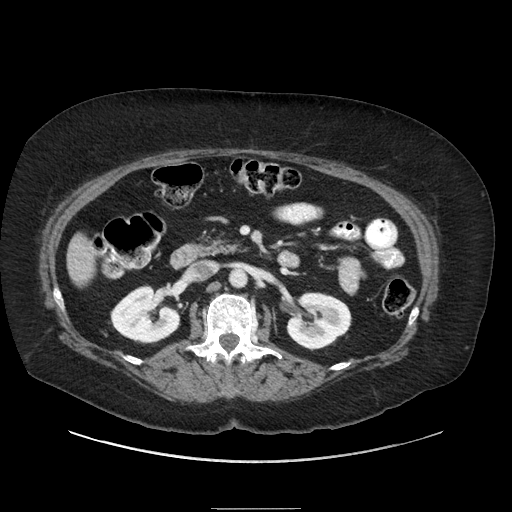
Contrast-enhanced abdominal CT, axial slice 124 of 186 (counted from the lowest slice); tube voltage 120 kVp, convolution kernel STANDARD; slices 2.50 mm thick, 0.850 mm per pixel.
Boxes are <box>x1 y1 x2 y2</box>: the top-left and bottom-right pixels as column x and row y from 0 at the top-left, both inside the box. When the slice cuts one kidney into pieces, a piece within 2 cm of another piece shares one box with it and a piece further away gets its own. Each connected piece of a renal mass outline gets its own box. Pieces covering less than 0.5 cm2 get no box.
Two kidney boxes on this slice; by box centre, from the image's left to its right: (1) Right kidney: <box>110 285 180 343</box> (outlined area 2,933 px, about 21.2 cm2). (2) Left kidney at <box>286 292 351 350</box> (outlined area 2,918 px, about 21.1 cm2). No renal mass is outlined on this slice.